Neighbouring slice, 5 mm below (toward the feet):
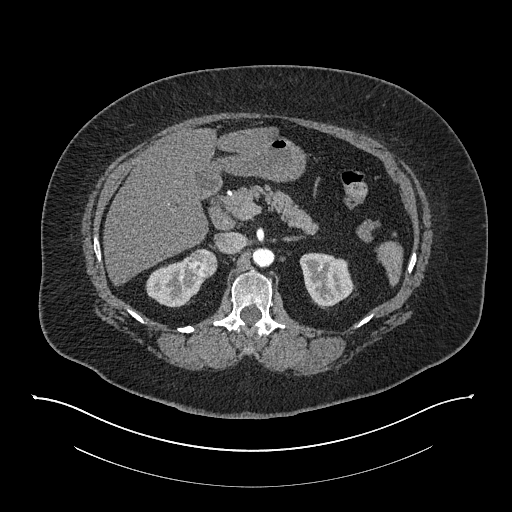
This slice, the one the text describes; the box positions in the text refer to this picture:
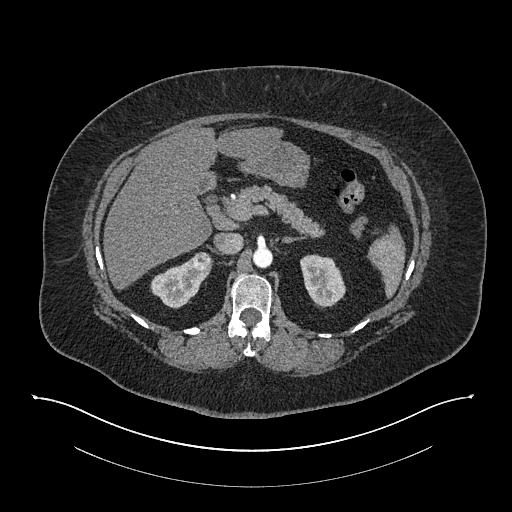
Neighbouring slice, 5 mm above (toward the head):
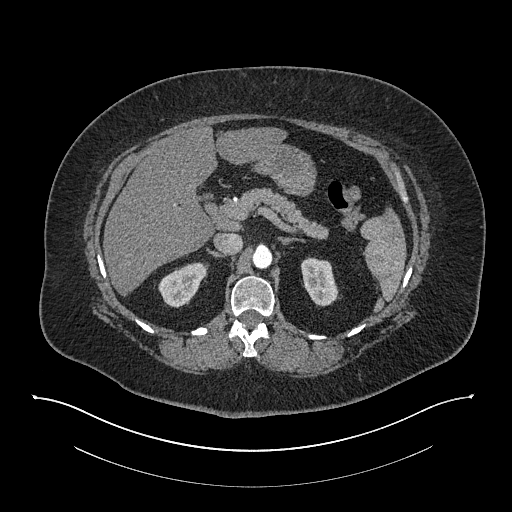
Abdominal CT with intravenous contrast, arterial phase, axial plane, 140 kVp, kernel I30f. Slice 540/673 from the bottom of the scan; thickness 1.00 mm; pixel size 0.957 mm.
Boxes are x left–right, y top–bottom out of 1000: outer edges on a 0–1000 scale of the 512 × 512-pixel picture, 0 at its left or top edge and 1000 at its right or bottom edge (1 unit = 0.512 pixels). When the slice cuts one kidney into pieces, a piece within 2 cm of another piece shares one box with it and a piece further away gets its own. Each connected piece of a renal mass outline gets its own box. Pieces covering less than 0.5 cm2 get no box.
Three boxes on this slice (two kidney boxes and one renal mass box), listed by box centre from the image's left to its right. (1) Right kidney, box x 293–418, y 502–604 out of 1000 (outlined area 1,771 px, about 16.2 cm2). (2) Right renal mass at x 375–416, y 492–529 out of 1000 (outlined area 294 px, about 2.7 cm2). (3) Left kidney, box x 586–676, y 496–602 out of 1000 (outlined area 1,797 px, about 16.5 cm2). This slice lies near the end of the right renal mass toward the head; the slices 5 mm below and 5 mm above it are shown too, and the boxes mark positions on this slice only.